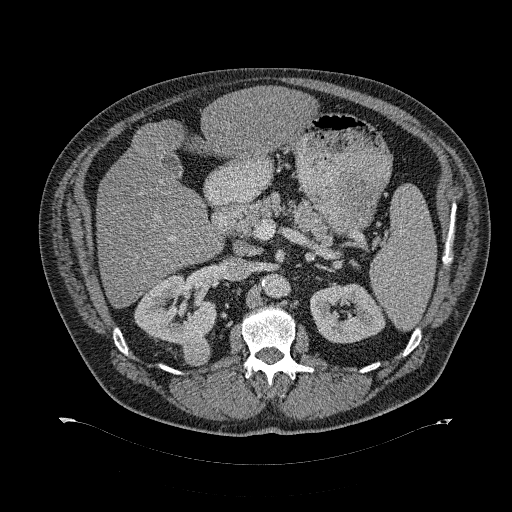
Axial slice 199 of 274 of a contrast-enhanced abdominal CT (slice 1 is the lowest), 120 kVp, kernel B31f; 2.00 mm slice thickness and 0.977 mm pixels.
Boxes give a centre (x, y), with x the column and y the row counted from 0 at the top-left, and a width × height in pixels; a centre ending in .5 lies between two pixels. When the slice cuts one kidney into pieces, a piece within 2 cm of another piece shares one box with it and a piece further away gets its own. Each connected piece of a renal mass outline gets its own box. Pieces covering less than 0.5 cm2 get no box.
Two kidney boxes and one renal mass box on this slice; by box centre, from the image's left to its right: (1) Right kidney in a box with centre (175, 309), 83 × 71 pixels (outlined area 3,820 px, about 36.4 cm2). (2) Right renal mass, box centre (195, 349.5), 29 × 32 pixels (outlined area 722 px, about 6.9 cm2). (3) Box centre (347.5, 313), 76 × 61 pixels: left kidney (outlined area 3,434 px, about 32.7 cm2).